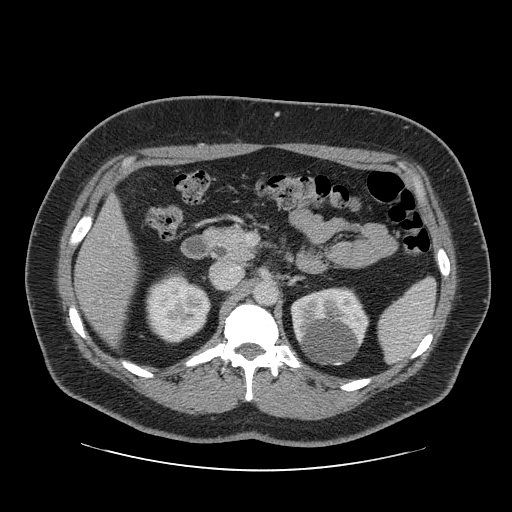
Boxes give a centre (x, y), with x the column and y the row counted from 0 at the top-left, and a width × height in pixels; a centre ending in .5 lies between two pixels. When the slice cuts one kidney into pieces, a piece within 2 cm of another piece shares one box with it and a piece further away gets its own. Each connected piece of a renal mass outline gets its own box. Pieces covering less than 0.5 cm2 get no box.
This is axial slice 48 of 69 (slice 1 is the lowest) of an arterial-phase abdominal CT with contrast; each pixel is 0.846 mm and the slice is 2.50 mm thick. Two kidney boxes on this slice; by box centre, from the image's left to its right: (1) Right kidney in a box with centre (178, 306.5), 67 × 74 pixels (outlined area 3,513 px, about 25.1 cm2). (2) Left kidney, box centre (329.5, 326), 80 × 79 pixels (outlined area 4,778 px, about 34.2 cm2). This slice carries no renal mass outline.
Scan settings: 120 kVp, STANDARD reconstruction kernel.